Abdominal CT with intravenous contrast, arterial phase, axial plane, 120 kVp, kernel B30f. Slice 131/274 from the bottom of the scan; thickness 2.00 mm; pixel size 0.809 mm.
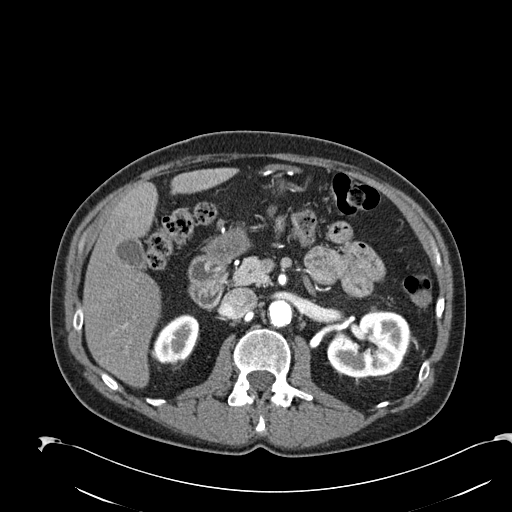
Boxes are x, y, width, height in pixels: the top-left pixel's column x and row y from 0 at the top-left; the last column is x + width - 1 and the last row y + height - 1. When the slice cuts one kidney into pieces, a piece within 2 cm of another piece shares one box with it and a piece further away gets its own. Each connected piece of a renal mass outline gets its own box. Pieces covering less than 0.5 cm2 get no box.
Two boxes on this slice (two kidney boxes), listed by box centre from the image's left to its right. (1) Right kidney, box x 153, y 314, width 47, height 50 (outlined area 1,605 px, about 10.5 cm2). (2) Box x 327, y 311, width 84, height 68: left kidney (outlined area 4,218 px, about 27.6 cm2). No renal mass outline on this slice.